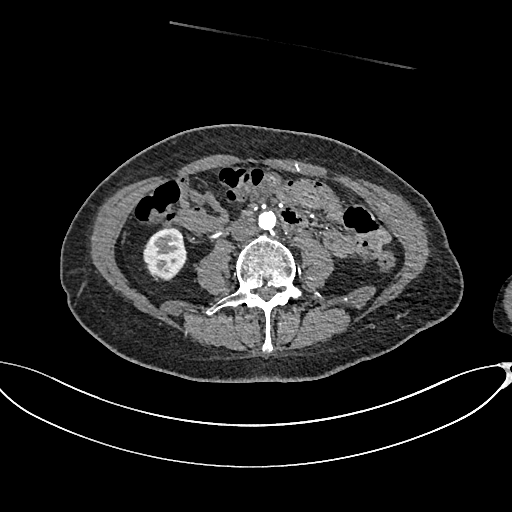
Axial slice 296 of 665 of a contrast-enhanced abdominal CT in the arterial phase (slice 1 is the lowest), 100 kVp, kernel I26f; 1.00 mm slice thickness and 0.828 mm pixels.
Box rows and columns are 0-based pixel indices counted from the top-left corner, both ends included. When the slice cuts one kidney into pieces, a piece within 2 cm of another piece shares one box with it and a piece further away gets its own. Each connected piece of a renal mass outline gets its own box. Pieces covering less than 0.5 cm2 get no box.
Box rows 227–280, columns 143–187: right kidney (outlined area 1,810 px, about 12.4 cm2). This slice carries no renal mass outline.